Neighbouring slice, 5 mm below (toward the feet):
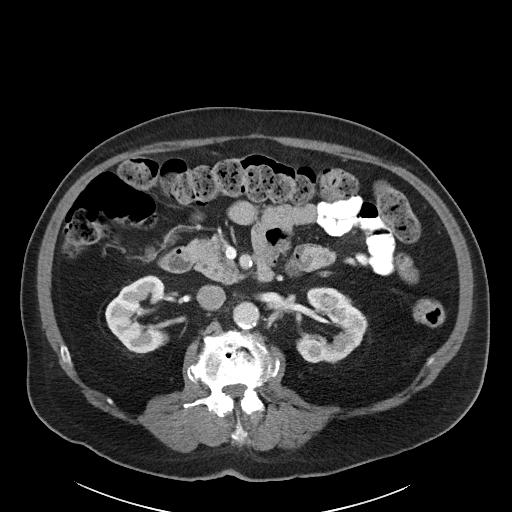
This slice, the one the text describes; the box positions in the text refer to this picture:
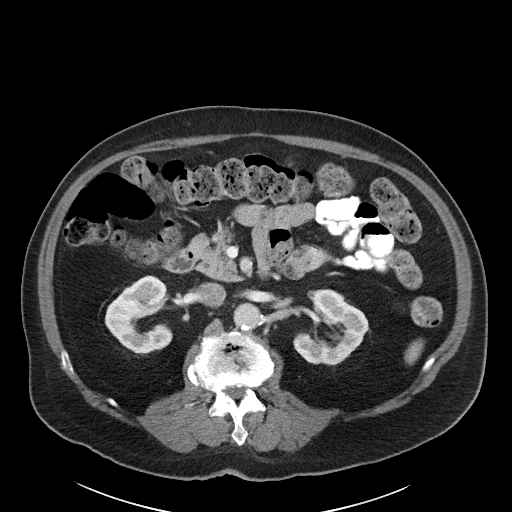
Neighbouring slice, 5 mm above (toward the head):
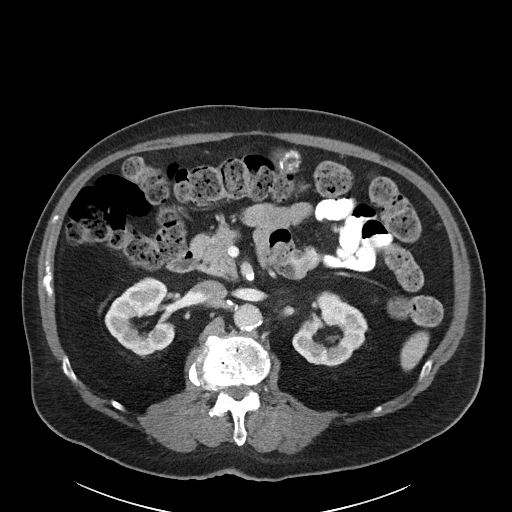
Abdominal CT with intravenous contrast, arterial phase, axial plane, 100 kVp, kernel I40f. Slice 61/89 from the bottom of the scan; thickness 5.00 mm; pixel size 0.885 mm.
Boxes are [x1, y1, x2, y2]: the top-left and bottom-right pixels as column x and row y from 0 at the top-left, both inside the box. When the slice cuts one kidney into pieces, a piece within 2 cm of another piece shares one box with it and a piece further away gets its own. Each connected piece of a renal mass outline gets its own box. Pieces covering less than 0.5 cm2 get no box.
Two kidney boxes and one renal mass box on this slice; by box centre, from the image's left to its right: (1) Right kidney at [105, 275, 172, 354] (outlined area 3,581 px, about 28.0 cm2). (2) Left renal mass at [311, 348, 319, 357] (outlined area 71 px, about 0.6 cm2). (3) Box [292, 289, 369, 365]: left kidney (outlined area 3,744 px, about 29.3 cm2). This slice is near the end of the left renal mass toward the head, so the slices 5 mm below and 5 mm above it are shown as well; the boxes refer to this slice only.